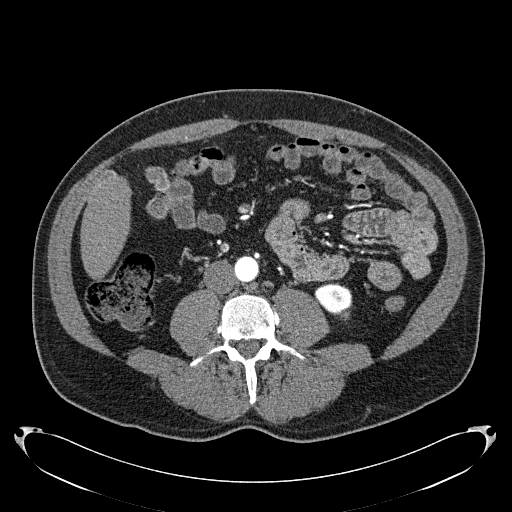
Axial slice 66 of 279 of a contrast-enhanced abdominal CT in the arterial phase (slice 1 is the lowest), 120 kVp, kernel B31f; 2.00 mm slice thickness and 0.824 mm pixels.
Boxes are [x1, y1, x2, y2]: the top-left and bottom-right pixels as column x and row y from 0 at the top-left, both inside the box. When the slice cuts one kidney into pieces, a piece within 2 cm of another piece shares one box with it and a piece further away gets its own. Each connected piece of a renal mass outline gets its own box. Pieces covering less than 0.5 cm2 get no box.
Left kidney, box [314, 282, 352, 319] (outlined area 1,030 px, about 7.0 cm2). No renal mass is outlined on this slice.